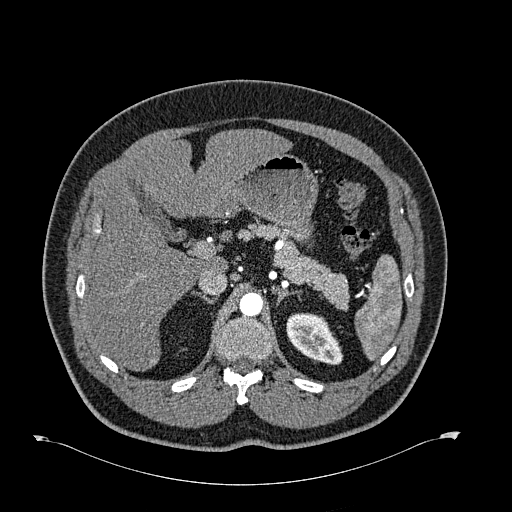
Arterial-phase contrast-enhanced abdominal CT, axial slice 469 of 723 (counted from the lowest slice); tube voltage 120 kVp, convolution kernel B30f; slices 1.00 mm thick, 0.895 mm per pixel.
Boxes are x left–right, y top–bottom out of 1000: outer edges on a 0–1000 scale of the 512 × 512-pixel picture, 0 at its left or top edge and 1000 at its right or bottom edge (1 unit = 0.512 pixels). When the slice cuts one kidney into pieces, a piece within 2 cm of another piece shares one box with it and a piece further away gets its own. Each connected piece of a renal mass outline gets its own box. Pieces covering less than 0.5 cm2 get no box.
Box x 559–672, y 611–713 out of 1000: left kidney (outlined area 2,060 px, about 16.5 cm2). No renal mass is outlined on this slice.